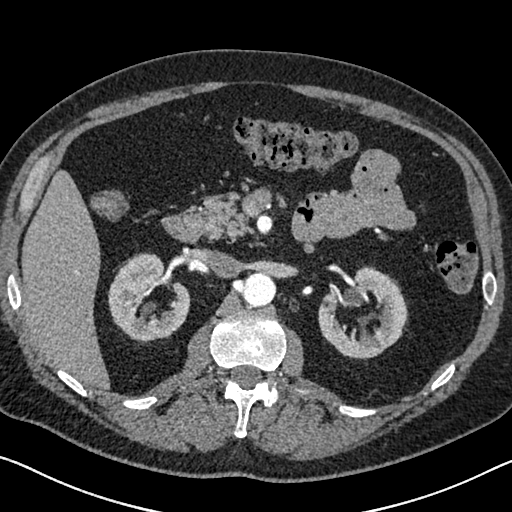
Arterial-phase contrast-enhanced abdominal CT, axial slice 429 of 626 (counted from the lowest slice); tube voltage 120 kVp, convolution kernel I30f; slices 1.00 mm thick, 0.703 mm per pixel.
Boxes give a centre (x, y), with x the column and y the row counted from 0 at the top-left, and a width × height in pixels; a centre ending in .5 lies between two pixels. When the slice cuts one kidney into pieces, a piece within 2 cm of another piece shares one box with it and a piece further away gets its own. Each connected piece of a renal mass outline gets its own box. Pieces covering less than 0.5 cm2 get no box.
Two kidney boxes on this slice; by box centre, from the image's left to its right: (1) Right kidney, box centre (149, 298), 83 × 91 pixels (outlined area 4,947 px, about 24.5 cm2). (2) Box centre (363, 312.5), 91 × 94 pixels: left kidney (outlined area 5,299 px, about 26.2 cm2). No renal mass is outlined on this slice.